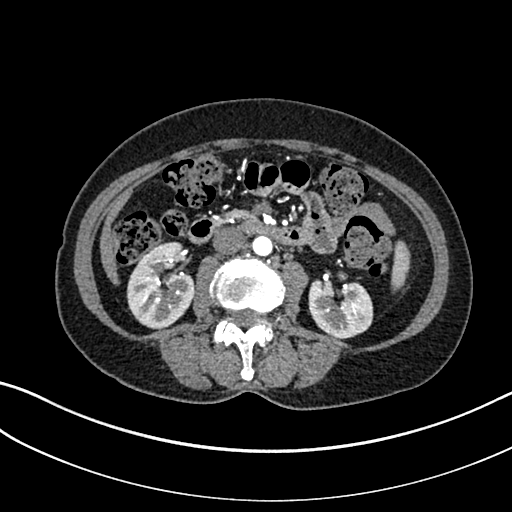
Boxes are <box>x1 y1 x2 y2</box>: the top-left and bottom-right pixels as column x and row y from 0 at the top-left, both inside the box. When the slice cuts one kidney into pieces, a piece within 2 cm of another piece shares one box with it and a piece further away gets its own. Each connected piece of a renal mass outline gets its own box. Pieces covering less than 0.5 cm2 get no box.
This is axial slice 132 of 325 (slice 1 is the lowest) of an arterial-phase abdominal CT with contrast; each pixel is 0.703 mm and the slice is 1.00 mm thick. Two kidney boxes on this slice; by box centre, from the image's left to its right: (1) At <box>126 242 195 329</box>: right kidney (outlined area 4,388 px, about 21.7 cm2). (2) Left kidney at <box>308 271 373 338</box> (outlined area 3,109 px, about 15.4 cm2). This slice carries no renal mass outline.
Tube voltage 100 kVp; convolution kernel I30f.